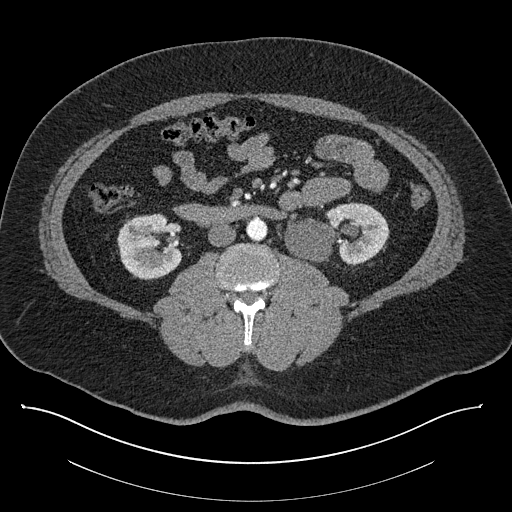
Axial slice 435 of 787 of a contrast-enhanced abdominal CT (slice 1 is the lowest), 140 kVp, kernel I30f; 1.00 mm slice thickness and 0.910 mm pixels.
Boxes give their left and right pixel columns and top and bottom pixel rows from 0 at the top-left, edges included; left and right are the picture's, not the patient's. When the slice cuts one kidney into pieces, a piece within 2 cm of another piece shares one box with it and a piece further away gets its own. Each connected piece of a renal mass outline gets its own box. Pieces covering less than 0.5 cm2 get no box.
Two boxes on this slice (two kidney boxes), listed by box centre from the image's left to its right. (1) Right kidney, the box with left 117, top 213, right 182, bottom 279 (outlined area 3,313 px, about 27.4 cm2). (2) Left kidney in the box with left 284, top 202, right 389, bottom 264 (outlined area 4,653 px, about 38.5 cm2). No renal mass outline on this slice.